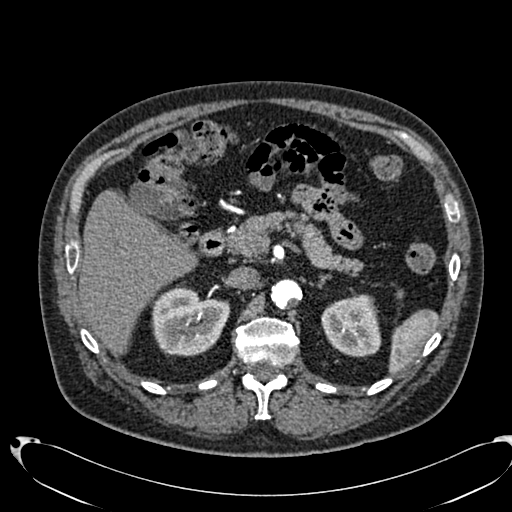
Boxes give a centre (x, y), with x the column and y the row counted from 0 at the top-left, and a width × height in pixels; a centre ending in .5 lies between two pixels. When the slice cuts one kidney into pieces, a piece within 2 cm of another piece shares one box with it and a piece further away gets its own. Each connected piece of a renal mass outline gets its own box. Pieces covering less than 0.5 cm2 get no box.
Arterial-phase contrast-enhanced abdominal CT, axial slice 465 of 553 (counted from the lowest slice); 1.00 mm thick, 0.773 mm per pixel. Boxed on this slice (two kidney boxes), listed by box centre from the image's left to its right: (1) Right kidney in a box with centre (190.5, 320.5), 80 × 72 pixels (outlined area 4,207 px, about 25.2 cm2). (2) Left kidney, box centre (350.5, 325), 60 × 63 pixels (outlined area 2,950 px, about 17.6 cm2). No renal mass outline on this slice.
Acquired at 120 kVp and reconstructed with the B20f kernel.